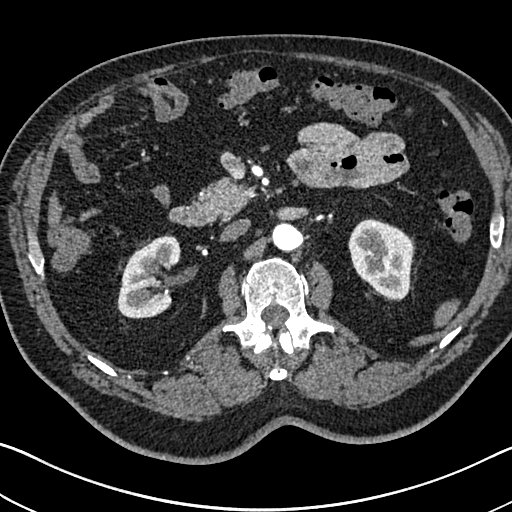
Abdominal CT with intravenous contrast, arterial phase, axial plane, 120 kVp, kernel I30f. Slice 435/705 from the bottom of the scan; thickness 1.00 mm; pixel size 0.703 mm.
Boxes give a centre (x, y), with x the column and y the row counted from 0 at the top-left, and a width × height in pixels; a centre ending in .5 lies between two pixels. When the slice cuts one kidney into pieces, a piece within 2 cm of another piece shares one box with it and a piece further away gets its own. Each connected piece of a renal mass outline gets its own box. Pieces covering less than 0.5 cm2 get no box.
Two kidney boxes on this slice; by box centre, from the image's left to its right: (1) Right kidney, box centre (149, 276), 65 × 85 pixels (outlined area 3,856 px, about 19.1 cm2). (2) Left kidney in a box with centre (380.5, 259.5), 66 × 82 pixels (outlined area 4,001 px, about 19.8 cm2). No renal mass is outlined on this slice.